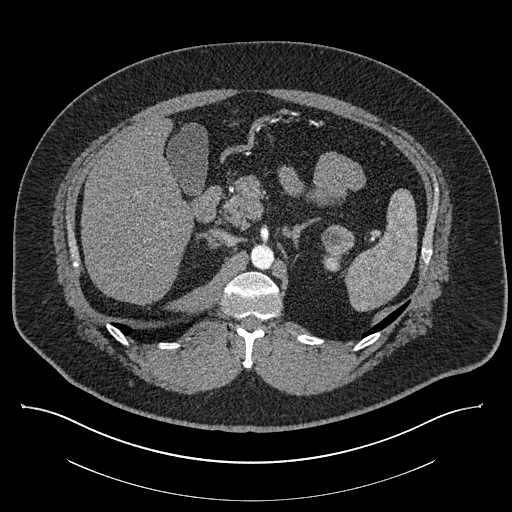
Axial slice 565 of 787 of a contrast-enhanced abdominal CT (slice 1 is the lowest), 140 kVp, kernel I30f; 1.00 mm slice thickness and 0.910 mm pixels.
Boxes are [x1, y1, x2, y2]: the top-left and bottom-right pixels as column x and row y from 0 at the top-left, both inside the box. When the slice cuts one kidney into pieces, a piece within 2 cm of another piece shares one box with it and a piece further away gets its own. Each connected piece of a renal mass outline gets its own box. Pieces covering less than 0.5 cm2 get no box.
Boxed on this slice (one kidney box and one renal mass box), listed by box centre from the image's left to its right: (1) Box [322, 251, 341, 270]: left kidney (outlined area 279 px, about 2.3 cm2). (2) Box [321, 225, 354, 254]: left renal mass (outlined area 775 px, about 6.4 cm2).